One axial slice (425 of 683, counting up from the lowest) of an arterial-phase abdominal CT acquired with 120 kVp, kernel I30f; each pixel is 0.738 mm and the slice is 1.00 mm thick.
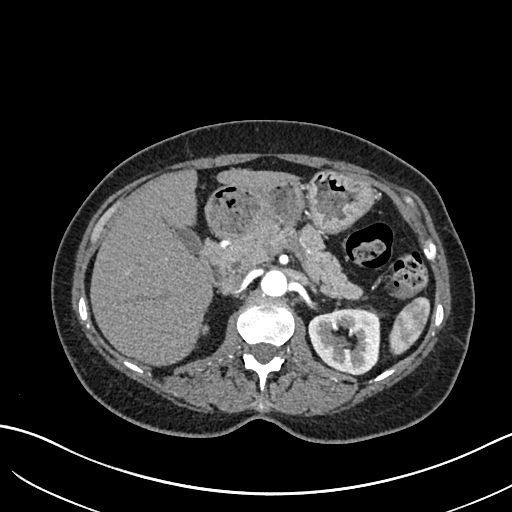
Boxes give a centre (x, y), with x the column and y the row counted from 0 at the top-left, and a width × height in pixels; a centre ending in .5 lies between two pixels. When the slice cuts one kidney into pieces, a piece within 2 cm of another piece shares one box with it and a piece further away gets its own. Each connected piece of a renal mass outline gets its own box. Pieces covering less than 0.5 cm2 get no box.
Left kidney in a box with centre (344, 341.5), 73 × 68 pixels (outlined area 3,757 px, about 20.5 cm2). This slice carries no renal mass outline.